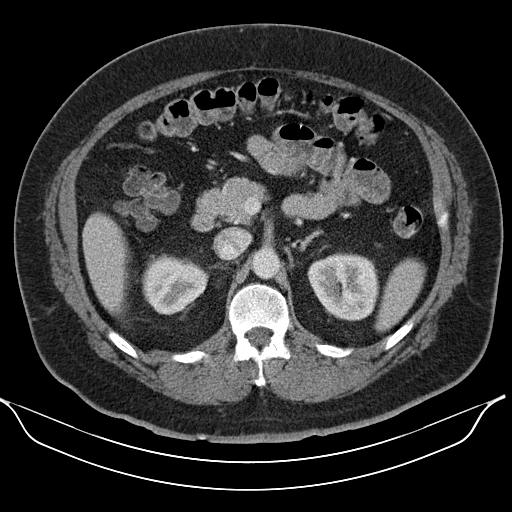
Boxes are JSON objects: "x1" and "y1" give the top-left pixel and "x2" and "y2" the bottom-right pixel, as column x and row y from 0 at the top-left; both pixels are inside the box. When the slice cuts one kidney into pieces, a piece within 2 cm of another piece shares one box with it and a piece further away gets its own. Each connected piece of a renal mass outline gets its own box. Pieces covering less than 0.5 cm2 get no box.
Arterial-phase contrast-enhanced abdominal CT, axial slice 75 of 110 (counted from the lowest slice); 5.00 mm thick, 0.836 mm per pixel. Two boxes on this slice (two kidney boxes), listed by box centre from the image's left to its right. (1) Box {"x1": 141, "y1": 254, "x2": 208, "y2": 315}: right kidney (outlined area 3,007 px, about 21.0 cm2). (2) Left kidney, box {"x1": 307, "y1": 252, "x2": 379, "y2": 321} (outlined area 3,855 px, about 26.9 cm2). This slice carries no renal mass outline.
Tube voltage 130 kVp; convolution kernel B30s.